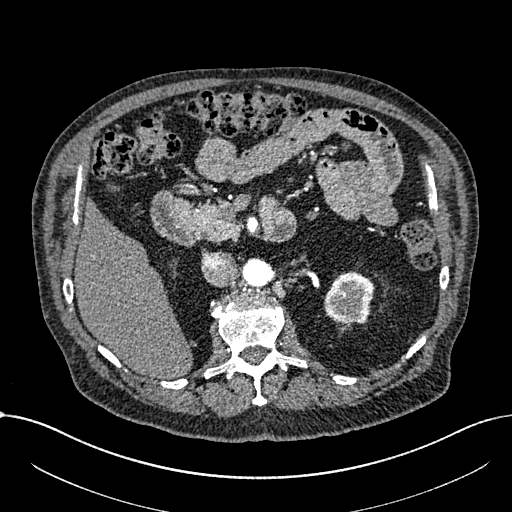
Arterial-phase contrast-enhanced abdominal CT, axial slice 439 of 1059 (counted from the lowest slice); tube voltage 100 kVp, convolution kernel I30f; slices 1.00 mm thick, 0.811 mm per pixel.
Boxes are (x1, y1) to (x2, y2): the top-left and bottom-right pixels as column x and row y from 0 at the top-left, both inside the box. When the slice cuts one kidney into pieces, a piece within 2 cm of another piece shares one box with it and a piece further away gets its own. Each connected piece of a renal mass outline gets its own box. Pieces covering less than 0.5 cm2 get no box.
Left part of the midline-crossing kidney from (324, 271) to (374, 325) (outlined area 2,140 px, about 14.1 cm2). This slice carries no renal mass outline.